Abdominal CT with intravenous contrast, axial plane, 120 kVp, kernel B30f. Slice 321/433 from the bottom of the scan; thickness 1.00 mm; pixel size 0.672 mm.
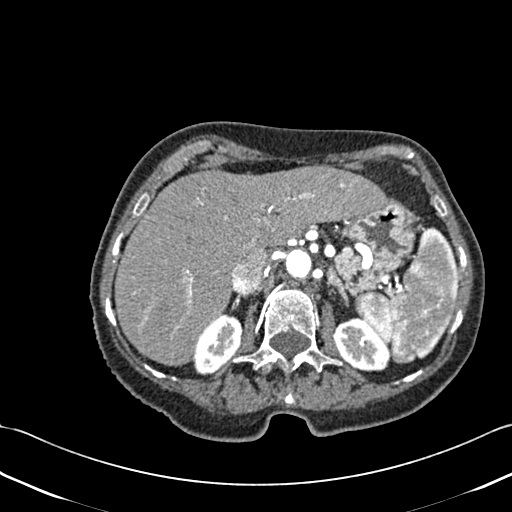
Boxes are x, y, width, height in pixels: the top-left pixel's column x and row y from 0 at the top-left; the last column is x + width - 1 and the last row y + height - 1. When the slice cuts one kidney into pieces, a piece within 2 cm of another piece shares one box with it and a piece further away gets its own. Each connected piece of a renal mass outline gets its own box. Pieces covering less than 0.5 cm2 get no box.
Boxed on this slice (two kidney boxes), listed by box centre from the image's left to its right: (1) Right kidney, box x 194, y 313, width 49, height 63 (outlined area 2,046 px, about 9.2 cm2). (2) Left kidney at x 333, y 317, width 59, height 55 (outlined area 2,241 px, about 10.1 cm2). No renal mass is outlined on this slice.